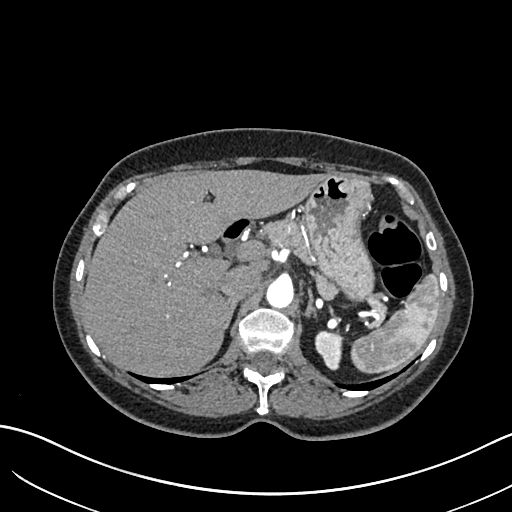
Arterial-phase contrast-enhanced abdominal CT, axial slice 471 of 683 (counted from the lowest slice); tube voltage 120 kVp, convolution kernel I30f; slices 1.00 mm thick, 0.738 mm per pixel.
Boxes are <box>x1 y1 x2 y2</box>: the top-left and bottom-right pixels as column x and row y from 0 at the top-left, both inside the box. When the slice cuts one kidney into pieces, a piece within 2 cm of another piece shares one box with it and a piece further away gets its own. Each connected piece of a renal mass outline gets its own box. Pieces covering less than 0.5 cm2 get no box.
Left kidney at <box>314 331 344 370</box> (outlined area 860 px, about 4.7 cm2). This slice carries no renal mass outline.